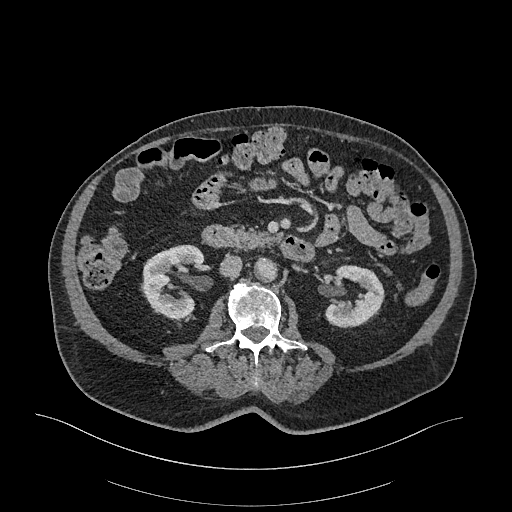
Abdominal CT with intravenous contrast, arterial phase, axial plane, 120 kVp, kernel I26f. Slice 141/470 from the bottom of the scan; thickness 1.00 mm; pixel size 0.938 mm.
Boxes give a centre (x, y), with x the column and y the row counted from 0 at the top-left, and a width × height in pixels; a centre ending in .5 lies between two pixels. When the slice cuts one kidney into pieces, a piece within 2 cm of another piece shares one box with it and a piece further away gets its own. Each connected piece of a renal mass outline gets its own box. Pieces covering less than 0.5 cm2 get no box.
Two boxes on this slice (two kidney boxes), listed by box centre from the image's left to its right. (1) Right kidney in a box with centre (172, 281.5), 63 × 76 pixels (outlined area 3,240 px, about 28.5 cm2). (2) Left kidney in a box with centre (354, 296.5), 61 × 64 pixels (outlined area 2,625 px, about 23.1 cm2). No renal mass outline on this slice.